Axial slice 449 of 683 of a contrast-enhanced abdominal CT in the arterial phase (slice 1 is the lowest), 120 kVp, kernel I30f; 1.00 mm slice thickness and 0.738 mm pixels.
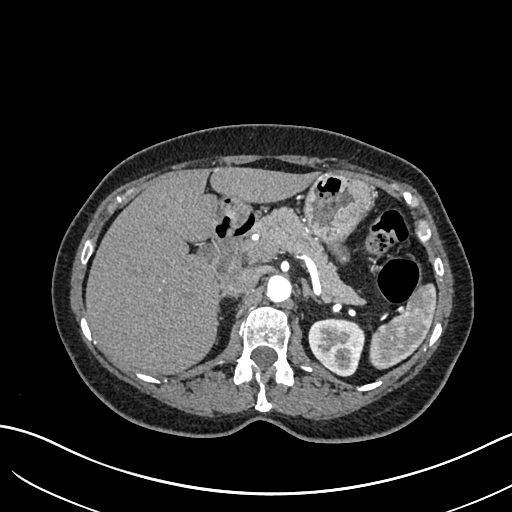
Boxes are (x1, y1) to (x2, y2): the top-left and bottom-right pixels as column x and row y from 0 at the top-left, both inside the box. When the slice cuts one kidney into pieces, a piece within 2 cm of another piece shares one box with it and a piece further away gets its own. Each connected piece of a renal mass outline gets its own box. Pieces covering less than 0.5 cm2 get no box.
Left kidney, box (308, 318) to (364, 376) (outlined area 2,560 px, about 14.0 cm2). No renal mass outline on this slice.